One axial slice (94 of 178, counting up from the lowest) of a contrast-enhanced abdominal CT acquired with 120 kVp, kernel B; each pixel is 0.818 mm and the slice is 3.00 mm thick.
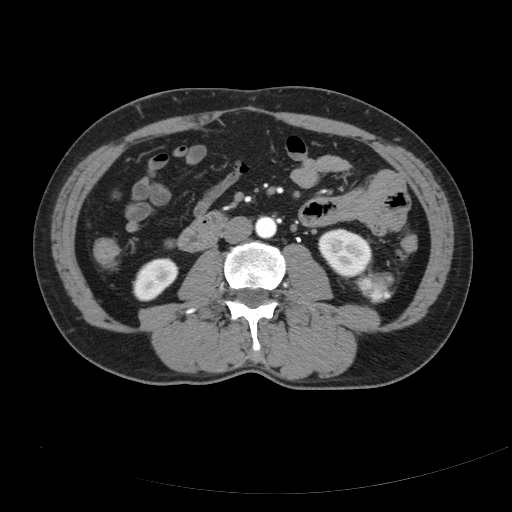
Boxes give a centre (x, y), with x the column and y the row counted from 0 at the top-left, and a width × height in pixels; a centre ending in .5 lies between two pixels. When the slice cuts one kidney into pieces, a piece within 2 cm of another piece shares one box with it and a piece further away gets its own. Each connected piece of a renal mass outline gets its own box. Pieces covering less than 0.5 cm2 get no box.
Three boxes on this slice (two kidney boxes and one renal mass box), listed by box centre from the image's left to its right. (1) Box centre (155, 279), 47 × 45 pixels: right kidney (outlined area 1,431 px, about 9.6 cm2). (2) Left kidney in a box with centre (345, 252.5), 55 × 50 pixels (outlined area 2,000 px, about 13.4 cm2). (3) Left renal mass, box centre (374.5, 287), 40 × 33 pixels (outlined area 892 px, about 6.0 cm2).